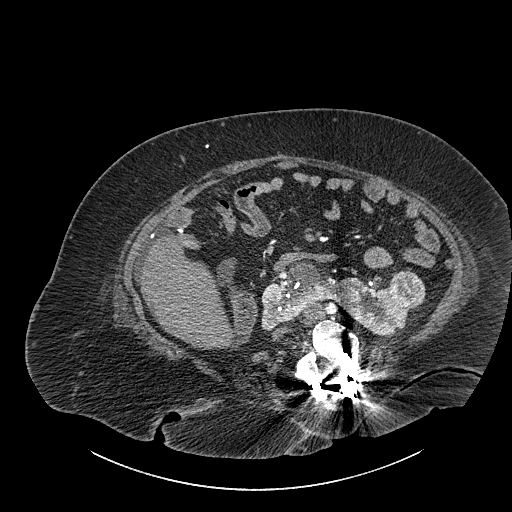
One axial slice (493 of 834, counting up from the lowest) of a contrast-enhanced abdominal CT acquired with 140 kVp, kernel I30f; each pixel is 0.977 mm and the slice is 1.00 mm thick.
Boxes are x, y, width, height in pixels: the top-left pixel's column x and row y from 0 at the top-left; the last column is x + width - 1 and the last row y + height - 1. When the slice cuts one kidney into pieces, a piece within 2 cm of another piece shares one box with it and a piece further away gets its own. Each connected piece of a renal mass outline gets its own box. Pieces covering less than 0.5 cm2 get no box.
Boxed on this slice (one kidney box and one renal mass box), listed by box centre from the image's left to its right: (1) Kidney crossing the body midline at x 261, y 261, width 159, height 77 (outlined area 5,617 px, about 53.6 cm2). (2) Renal mass at x 388, y 269, width 38, height 39 (outlined area 1,137 px, about 10.8 cm2).